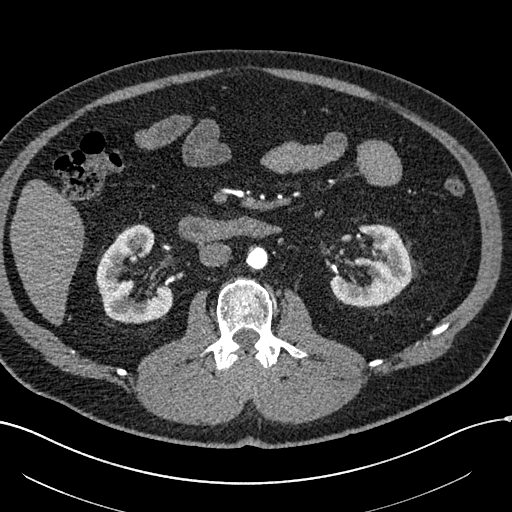
Abdominal CT with intravenous contrast, arterial phase, axial plane, 120 kVp, kernel I30f. Slice 311/602 from the bottom of the scan; thickness 1.00 mm; pixel size 0.799 mm.
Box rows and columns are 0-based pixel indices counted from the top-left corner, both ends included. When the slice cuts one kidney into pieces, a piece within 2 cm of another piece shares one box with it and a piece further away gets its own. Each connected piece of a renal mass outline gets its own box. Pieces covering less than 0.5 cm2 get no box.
Two kidney boxes on this slice; by box centre, from the image's left to its right: (1) Right kidney, box rows 224–322, columns 96–173 (outlined area 4,614 px, about 29.4 cm2). (2) Left kidney, box rows 224–306, columns 330–411 (outlined area 4,274 px, about 27.3 cm2). This slice carries no renal mass outline.